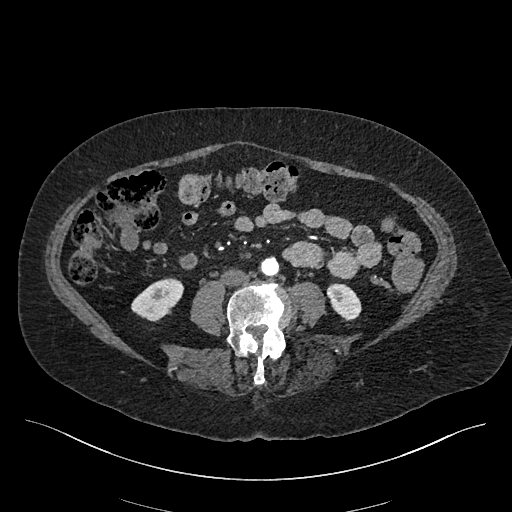
One axial slice (159 of 548, counting up from the lowest) of an arterial-phase abdominal CT acquired with 120 kVp, kernel I26f; each pixel is 0.852 mm and the slice is 1.00 mm thick.
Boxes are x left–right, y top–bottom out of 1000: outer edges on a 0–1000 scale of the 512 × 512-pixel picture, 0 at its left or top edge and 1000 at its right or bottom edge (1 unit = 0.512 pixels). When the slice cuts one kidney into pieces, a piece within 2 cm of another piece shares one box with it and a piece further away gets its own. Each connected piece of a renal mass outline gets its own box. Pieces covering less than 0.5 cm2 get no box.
Boxed on this slice (two kidney boxes), listed by box centre from the image's left to its right: (1) Right kidney at x 256–359, y 543–629 out of 1000 (outlined area 1,507 px, about 10.9 cm2). (2) Box x 637–707, y 553–627 out of 1000: left kidney (outlined area 936 px, about 6.8 cm2). This slice carries no renal mass outline.